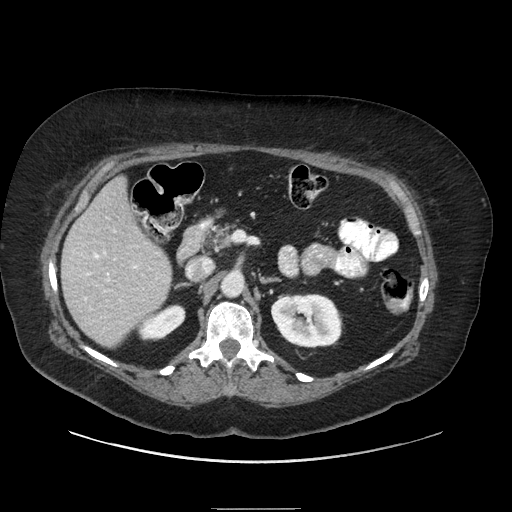
One axial slice (137 of 186, counting up from the lowest) of a contrast-enhanced abdominal CT acquired with 120 kVp, kernel STANDARD; each pixel is 0.850 mm and the slice is 2.50 mm thick.
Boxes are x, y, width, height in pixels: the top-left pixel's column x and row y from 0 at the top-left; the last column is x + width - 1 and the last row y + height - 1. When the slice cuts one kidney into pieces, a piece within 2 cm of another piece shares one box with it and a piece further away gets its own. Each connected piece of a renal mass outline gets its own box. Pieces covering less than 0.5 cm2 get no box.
Two boxes on this slice (two kidney boxes), listed by box centre from the image's left to its right. (1) Box x 137, y 304, width 49, height 37: right kidney (outlined area 1,143 px, about 8.3 cm2). (2) Left kidney at x 270, y 293, width 73, height 56 (outlined area 3,222 px, about 23.3 cm2). This slice carries no renal mass outline.